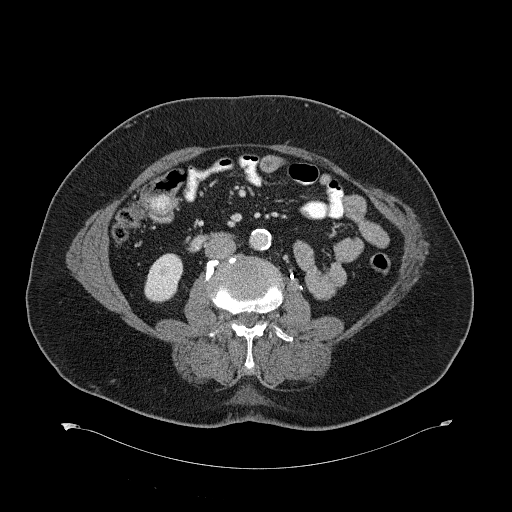
Abdominal CT with intravenous contrast, axial plane, 120 kVp, kernel B31f. Slice 314/734 from the bottom of the scan; thickness 2.00 mm; pixel size 0.971 mm.
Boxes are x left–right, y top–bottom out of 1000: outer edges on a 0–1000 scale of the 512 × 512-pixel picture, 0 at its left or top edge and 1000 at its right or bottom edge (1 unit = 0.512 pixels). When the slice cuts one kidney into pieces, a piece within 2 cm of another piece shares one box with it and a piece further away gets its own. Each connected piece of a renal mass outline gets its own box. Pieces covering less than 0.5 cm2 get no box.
Box x 281–359, y 494–592 out of 1000: right kidney (outlined area 1,450 px, about 13.7 cm2). No renal mass is outlined on this slice.